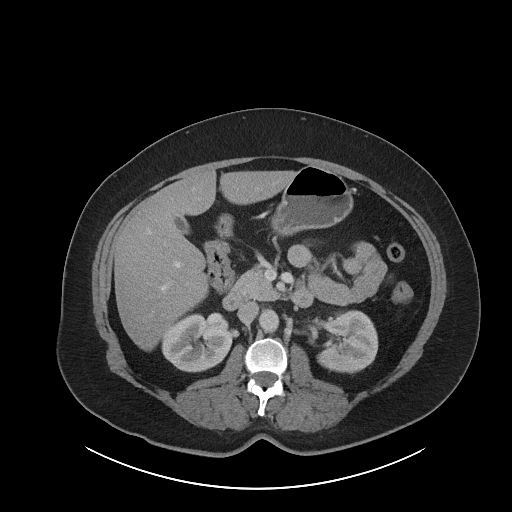
Arterial-phase contrast-enhanced abdominal CT, axial slice 55 of 86 (counted from the lowest slice); tube voltage 120 kVp, convolution kernel I40f; slices 5.00 mm thick, 0.977 mm per pixel.
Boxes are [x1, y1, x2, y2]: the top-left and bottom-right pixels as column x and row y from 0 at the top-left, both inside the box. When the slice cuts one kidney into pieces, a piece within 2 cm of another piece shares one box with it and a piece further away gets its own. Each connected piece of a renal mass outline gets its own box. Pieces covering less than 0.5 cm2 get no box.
Boxed on this slice (two kidney boxes), listed by box centre from the image's left to its right: (1) Box [161, 314, 232, 372]: right kidney (outlined area 3,099 px, about 29.6 cm2). (2) Box [316, 310, 378, 373]: left kidney (outlined area 2,934 px, about 28.0 cm2). This slice carries no renal mass outline.